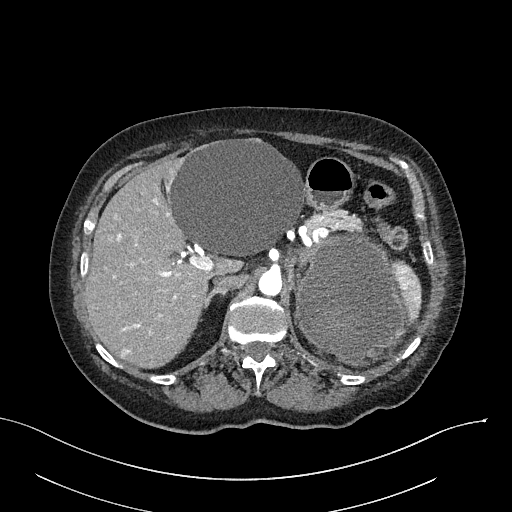
Arterial-phase contrast-enhanced abdominal CT, axial slice 187 of 316 (counted from the lowest slice); tube voltage 100 kVp, convolution kernel I40f; slices 2.00 mm thick, 0.840 mm per pixel.
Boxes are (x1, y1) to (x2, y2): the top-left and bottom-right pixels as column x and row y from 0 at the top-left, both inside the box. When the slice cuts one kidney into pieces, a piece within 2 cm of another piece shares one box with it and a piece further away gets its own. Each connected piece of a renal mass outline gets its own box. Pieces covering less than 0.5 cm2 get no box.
Left renal mass, box (295, 233) to (408, 365) (outlined area 11,334 px, about 79.9 cm2); no kidney is outlined on this slice, but the same outlined renal mass comes within 1 cm of the kidney on another slice.